One axial slice (112 of 261, counting up from the lowest) of an arterial-phase abdominal CT acquired with 120 kVp, kernel I30f; each pixel is 0.939 mm and the slice is 2.00 mm thick.
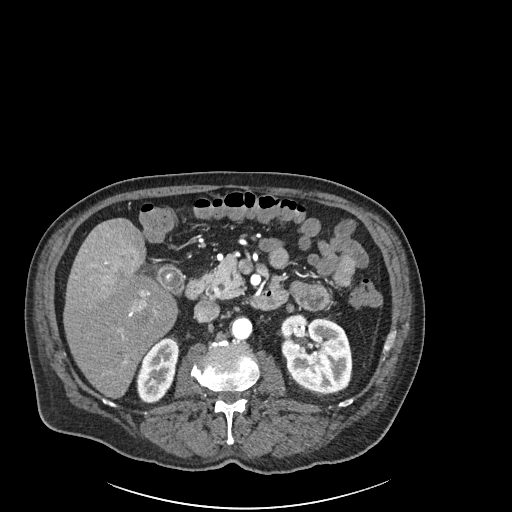
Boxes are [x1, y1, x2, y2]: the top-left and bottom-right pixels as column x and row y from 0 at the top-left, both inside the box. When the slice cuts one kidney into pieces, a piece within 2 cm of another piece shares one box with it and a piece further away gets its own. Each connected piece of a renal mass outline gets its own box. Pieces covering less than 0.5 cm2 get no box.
Two kidney boxes on this slice; by box centre, from the image's left to its right: (1) Right kidney, box [136, 337, 179, 403] (outlined area 2,049 px, about 18.1 cm2). (2) Box [280, 314, 352, 392]: left kidney (outlined area 4,517 px, about 39.9 cm2). No renal mass outline on this slice.